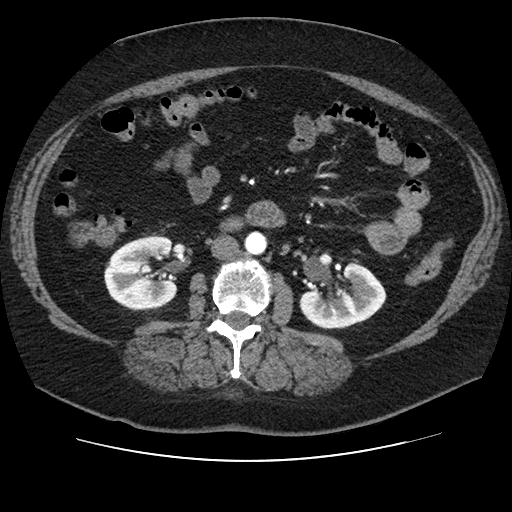
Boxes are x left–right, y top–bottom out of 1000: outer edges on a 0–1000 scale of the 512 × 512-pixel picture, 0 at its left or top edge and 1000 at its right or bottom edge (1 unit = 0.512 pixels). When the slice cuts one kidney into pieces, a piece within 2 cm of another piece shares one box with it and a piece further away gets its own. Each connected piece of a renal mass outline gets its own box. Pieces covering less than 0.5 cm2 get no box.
Arterial-phase contrast-enhanced abdominal CT, axial slice 45 of 106 (counted from the lowest slice); 2.50 mm thick, 0.742 mm per pixel. Two kidney boxes on this slice; by box centre, from the image's left to its right: (1) Right kidney, box x 203–348, y 459–609 out of 1000 (outlined area 4,358 px, about 24.0 cm2). (2) Left kidney at x 584–756, y 510–645 out of 1000 (outlined area 3,883 px, about 21.4 cm2). No renal mass is outlined on this slice.
Acquired at 120 kVp and reconstructed with the STANDARD kernel.